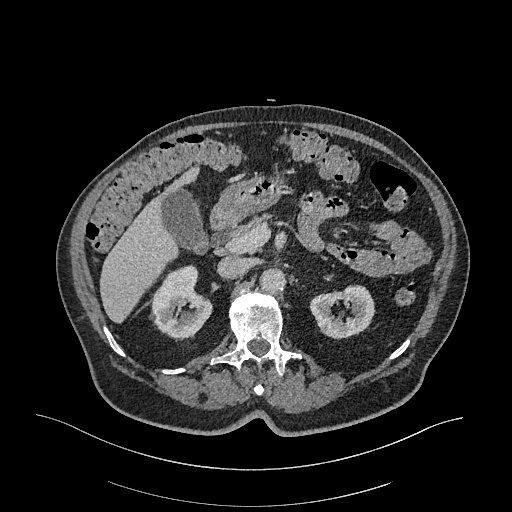
Arterial-phase contrast-enhanced abdominal CT, axial slice 207 of 470 (counted from the lowest slice); tube voltage 120 kVp, convolution kernel I26f; slices 1.00 mm thick, 0.938 mm per pixel.
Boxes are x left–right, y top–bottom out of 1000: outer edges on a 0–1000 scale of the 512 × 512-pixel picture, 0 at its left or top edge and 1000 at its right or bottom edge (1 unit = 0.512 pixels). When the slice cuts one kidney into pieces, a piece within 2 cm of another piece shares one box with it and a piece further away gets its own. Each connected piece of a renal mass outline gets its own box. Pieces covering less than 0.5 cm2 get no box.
Two boxes on this slice (two kidney boxes), listed by box centre from the image's left to its right. (1) Right kidney, box x 295–416, y 516–660 out of 1000 (outlined area 3,095 px, about 27.2 cm2). (2) Left kidney at x 604–734, y 557–660 out of 1000 (outlined area 2,474 px, about 21.7 cm2). No renal mass is outlined on this slice.